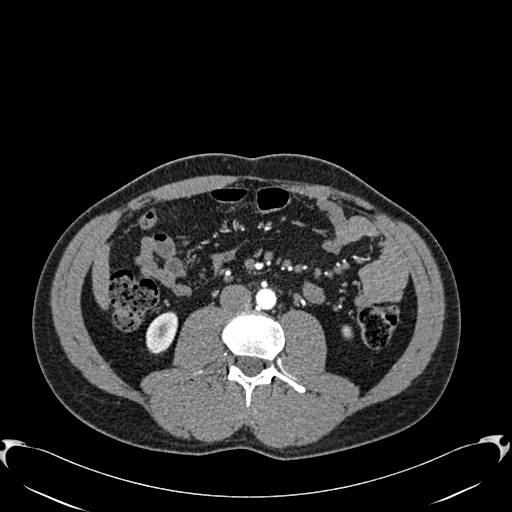
Axial slice 270 of 512 of a contrast-enhanced abdominal CT in the arterial phase (slice 1 is the lowest), 120 kVp, kernel B30f; 1.00 mm slice thickness and 0.771 mm pixels.
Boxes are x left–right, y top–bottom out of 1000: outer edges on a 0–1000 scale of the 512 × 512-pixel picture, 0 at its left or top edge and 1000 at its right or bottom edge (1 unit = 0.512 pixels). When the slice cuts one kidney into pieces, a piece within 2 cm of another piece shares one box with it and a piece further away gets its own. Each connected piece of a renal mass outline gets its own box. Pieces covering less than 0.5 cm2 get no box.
Two boxes on this slice (two kidney boxes), listed by box centre from the image's left to its right. (1) Right kidney, box x 285–348, y 607–693 out of 1000 (outlined area 1,028 px, about 6.1 cm2). (2) Left kidney at x 666–689, y 635–662 out of 1000 (outlined area 129 px, about 0.8 cm2). No renal mass is outlined on this slice.